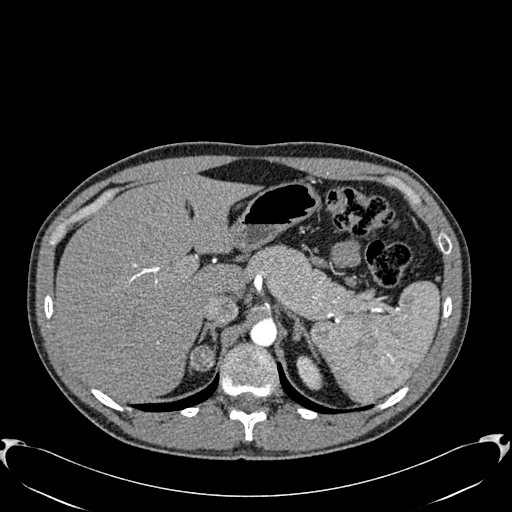
One axial slice (456 of 512, counting up from the lowest) of an arterial-phase abdominal CT acquired with 120 kVp, kernel B30f; each pixel is 0.771 mm and the slice is 1.00 mm thick.
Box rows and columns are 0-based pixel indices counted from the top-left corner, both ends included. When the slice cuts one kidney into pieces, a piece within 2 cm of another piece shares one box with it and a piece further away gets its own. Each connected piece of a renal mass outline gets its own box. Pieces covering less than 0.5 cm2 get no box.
Three boxes on this slice (two kidney boxes and one renal mass box), listed by box centre from the image's left to its right. (1) Box rows 346–369, columns 189–198: right kidney (outlined area 91 px, about 0.5 cm2). (2) Right renal mass, box rows 344–371, columns 193–214 (outlined area 482 px, about 2.9 cm2). (3) Left kidney at rows 355–390, columns 296–322 (outlined area 642 px, about 3.8 cm2).